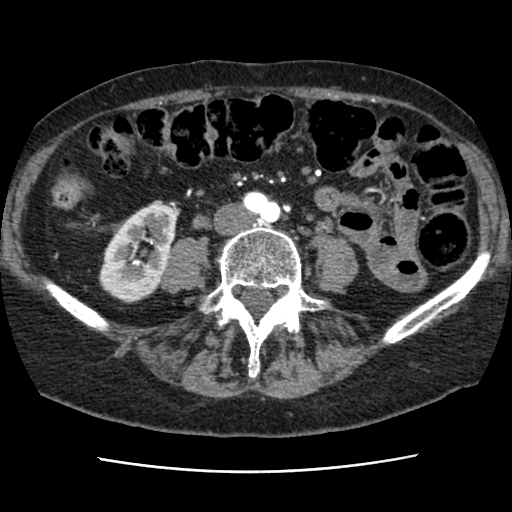
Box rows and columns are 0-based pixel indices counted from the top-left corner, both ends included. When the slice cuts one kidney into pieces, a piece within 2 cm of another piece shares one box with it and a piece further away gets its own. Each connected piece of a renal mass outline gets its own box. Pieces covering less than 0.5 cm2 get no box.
Slice 20/76 of a contrast-enhanced abdominal CT, counting up from the lowest; pixel size 0.586 mm, slice thickness 2.50 mm. Box rows 203–303, columns 98–177: right kidney (outlined area 5,342 px, about 18.3 cm2). No renal mass outline on this slice.
Scan settings: 120 kVp, STANDARD reconstruction kernel.